One axial slice (316 of 532, counting up from the lowest) of an arterial-phase abdominal CT acquired with 120 kVp, kernel B30f; each pixel is 0.713 mm and the slice is 1.00 mm thick.
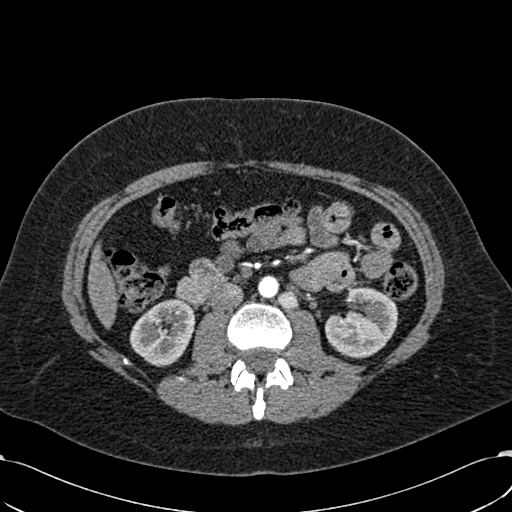
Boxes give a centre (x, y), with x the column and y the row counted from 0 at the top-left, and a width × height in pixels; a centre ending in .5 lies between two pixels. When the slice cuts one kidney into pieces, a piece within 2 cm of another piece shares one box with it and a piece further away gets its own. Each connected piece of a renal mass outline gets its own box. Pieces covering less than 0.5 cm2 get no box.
Two kidney boxes on this slice; by box centre, from the image's left to its right: (1) Box centre (162, 332.5), 67 × 68 pixels: right kidney (outlined area 3,237 px, about 16.5 cm2). (2) Box centre (361, 321.5), 75 × 74 pixels: left kidney (outlined area 3,802 px, about 19.3 cm2). No renal mass outline on this slice.